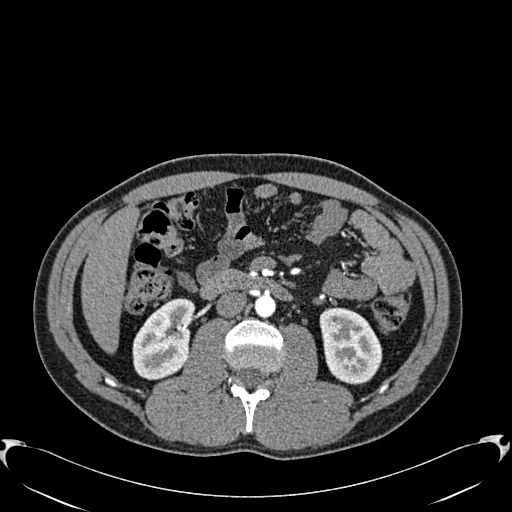
One axial slice (318 of 512, counting up from the lowest) of an arterial-phase abdominal CT acquired with 120 kVp, kernel B30f; each pixel is 0.771 mm and the slice is 1.00 mm thick.
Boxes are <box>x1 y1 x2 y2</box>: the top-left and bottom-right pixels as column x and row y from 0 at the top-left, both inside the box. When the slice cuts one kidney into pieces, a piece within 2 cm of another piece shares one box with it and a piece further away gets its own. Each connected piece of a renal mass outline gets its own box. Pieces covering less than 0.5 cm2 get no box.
Boxed on this slice (two kidney boxes), listed by box centre from the image's left to its right: (1) Right kidney: <box>132 299 195 380</box> (outlined area 3,733 px, about 22.2 cm2). (2) Left kidney: <box>319 306 382 384</box> (outlined area 3,721 px, about 22.1 cm2). No renal mass outline on this slice.